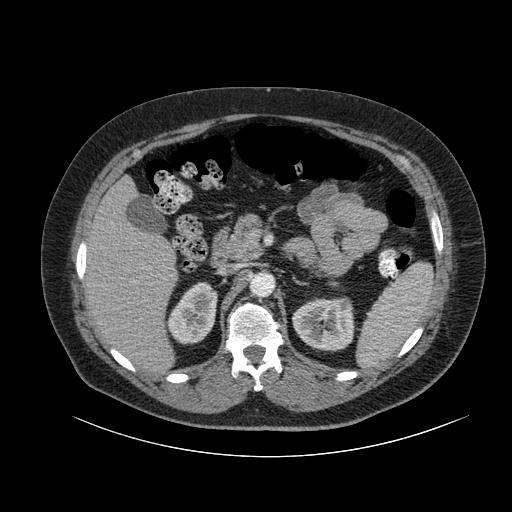
Axial slice 61 of 105 of a contrast-enhanced abdominal CT (slice 1 is the lowest), 120 kVp, kernel B; 3.00 mm slice thickness and 0.977 mm pixels.
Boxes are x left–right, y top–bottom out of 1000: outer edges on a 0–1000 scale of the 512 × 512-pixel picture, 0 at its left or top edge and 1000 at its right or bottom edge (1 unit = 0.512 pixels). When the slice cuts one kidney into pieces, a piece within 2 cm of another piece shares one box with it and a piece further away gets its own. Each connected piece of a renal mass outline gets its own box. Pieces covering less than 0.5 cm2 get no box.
Two boxes on this slice (two kidney boxes), listed by box centre from the image's left to its right. (1) Right kidney, box x 326–426, y 551–674 out of 1000 (outlined area 2,305 px, about 22.0 cm2). (2) Left kidney, box x 568–693, y 578–686 out of 1000 (outlined area 2,783 px, about 26.5 cm2). This slice carries no renal mass outline.